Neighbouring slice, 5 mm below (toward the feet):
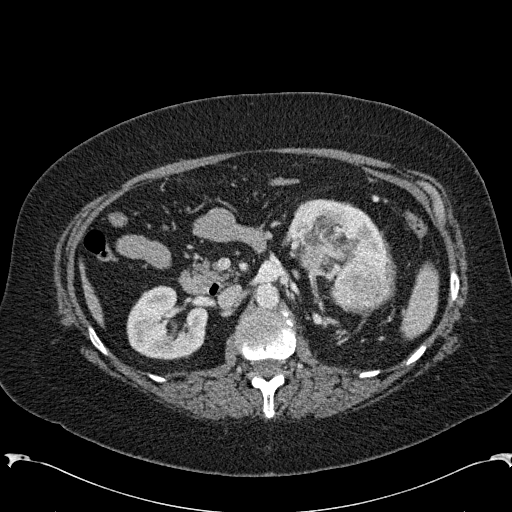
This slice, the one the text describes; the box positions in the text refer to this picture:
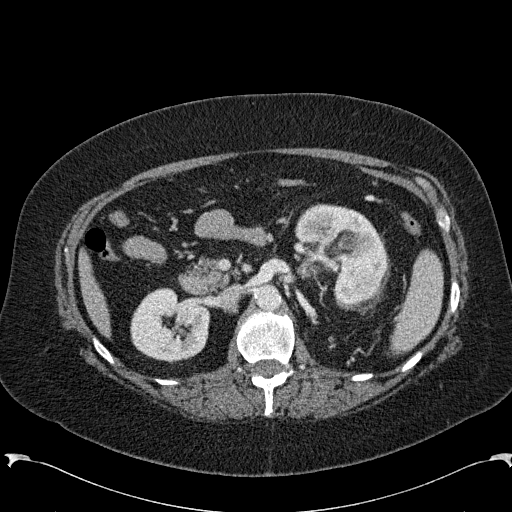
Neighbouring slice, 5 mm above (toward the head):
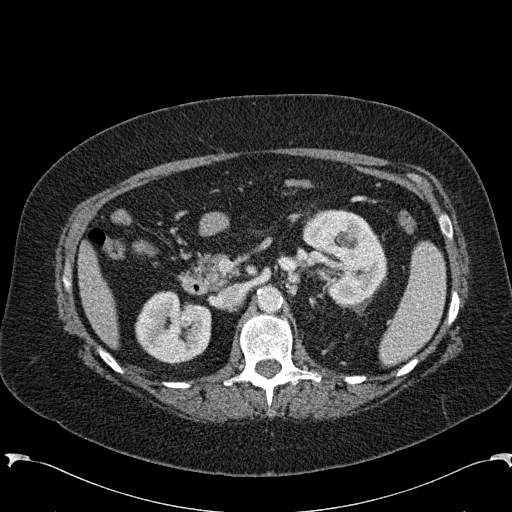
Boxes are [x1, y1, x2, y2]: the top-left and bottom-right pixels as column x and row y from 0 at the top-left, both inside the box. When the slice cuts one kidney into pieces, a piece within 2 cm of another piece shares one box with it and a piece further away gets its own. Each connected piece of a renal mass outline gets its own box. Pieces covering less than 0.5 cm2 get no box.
Slice 144/285 of a contrast-enhanced abdominal CT in the arterial phase, counting up from the lowest; pixel size 0.762 mm, slice thickness 2.00 mm. Two kidney boxes and one renal mass box on this slice; by box centre, from the image's left to its right: (1) Right kidney at [130, 288, 210, 363] (outlined area 4,547 px, about 26.4 cm2). (2) Box [294, 203, 390, 307]: left kidney (outlined area 5,335 px, about 31.0 cm2). (3) Left renal mass, box [347, 258, 389, 301] (outlined area 1,444 px, about 8.4 cm2). This slice is near the end of the left renal mass toward the head, so the slices 5 mm below and 5 mm above it are shown as well; the boxes refer to this slice only.
Acquired at 120 kVp and reconstructed with the B31f kernel.